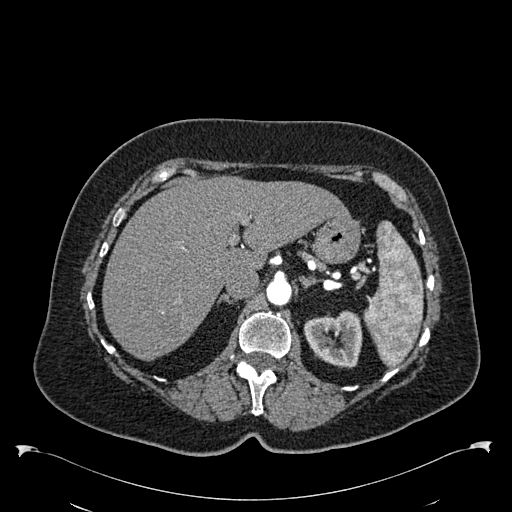
Abdominal CT with intravenous contrast, arterial phase, axial plane, 120 kVp, kernel B30f. Slice 409/538 from the bottom of the scan; thickness 1.00 mm; pixel size 0.811 mm.
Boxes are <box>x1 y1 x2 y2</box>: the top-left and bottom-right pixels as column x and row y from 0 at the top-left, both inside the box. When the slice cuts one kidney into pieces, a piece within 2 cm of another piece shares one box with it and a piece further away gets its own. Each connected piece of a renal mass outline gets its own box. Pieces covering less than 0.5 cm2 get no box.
At <box>304 310 362 368</box>: left kidney (outlined area 2,501 px, about 16.4 cm2). This slice carries no renal mass outline.